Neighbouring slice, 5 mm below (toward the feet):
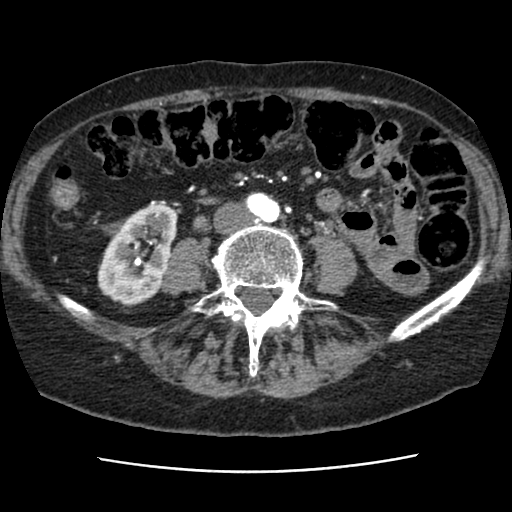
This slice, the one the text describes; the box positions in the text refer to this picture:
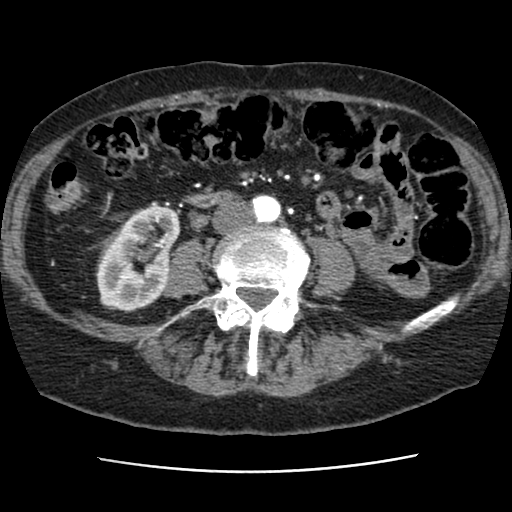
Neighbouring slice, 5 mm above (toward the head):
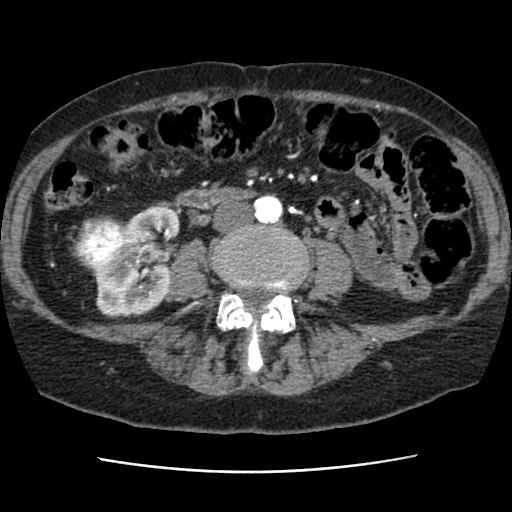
Contrast-enhanced abdominal CT, axial slice 23 of 76 (counted from the lowest slice); tube voltage 120 kVp, convolution kernel STANDARD; slices 2.50 mm thick, 0.586 mm per pixel.
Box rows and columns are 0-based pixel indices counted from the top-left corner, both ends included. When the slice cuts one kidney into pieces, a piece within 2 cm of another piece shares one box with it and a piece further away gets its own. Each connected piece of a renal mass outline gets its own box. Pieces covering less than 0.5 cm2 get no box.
One kidney box and one renal mass box on this slice; by box centre, from the image's left to its right: (1) Right renal mass, box rows 236–254, columns 92–110 (outlined area 160 px, about 0.5 cm2). (2) Box rows 205–312, columns 95–179: right kidney (outlined area 6,234 px, about 21.4 cm2). This slice is near the end of the right renal mass toward the feet, so the slices 5 mm below and 5 mm above it are shown as well; the boxes refer to this slice only.